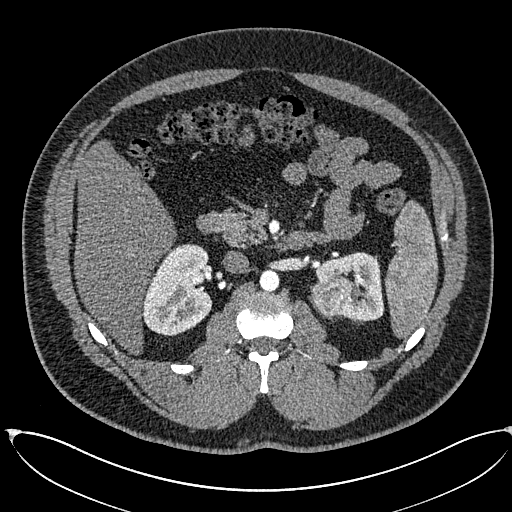
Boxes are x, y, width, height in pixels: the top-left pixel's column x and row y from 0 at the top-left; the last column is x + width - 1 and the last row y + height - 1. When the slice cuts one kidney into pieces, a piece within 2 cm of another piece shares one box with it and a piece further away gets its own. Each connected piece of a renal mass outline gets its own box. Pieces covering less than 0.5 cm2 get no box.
Arterial-phase contrast-enhanced abdominal CT, axial slice 376 of 673 (counted from the lowest slice); 1.00 mm thick, 0.855 mm per pixel. Three boxes on this slice (two kidney boxes and one renal mass box), listed by box centre from the image's left to its right. (1) Right kidney, box x 142, y 243, width 71, height 93 (outlined area 4,888 px, about 35.8 cm2). (2) Left renal mass, box x 309, y 275, width 49, height 45 (outlined area 1,655 px, about 12.1 cm2). (3) Left kidney at x 315, y 252, width 69, height 70 (outlined area 2,519 px, about 18.4 cm2).
Acquired at 120 kVp and reconstructed with the I30f kernel.